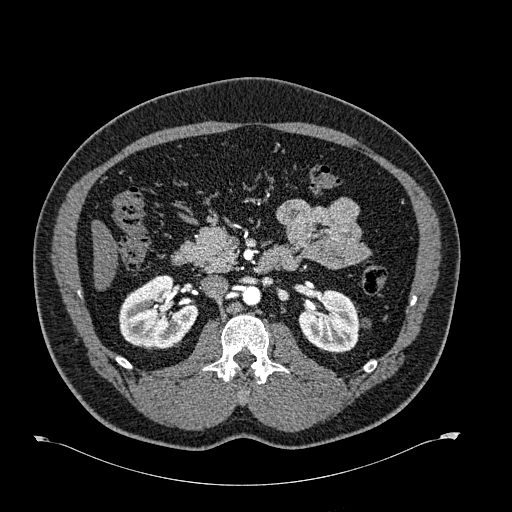
Arterial-phase contrast-enhanced abdominal CT, axial slice 375 of 723 (counted from the lowest slice); tube voltage 120 kVp, convolution kernel B30f; slices 1.00 mm thick, 0.895 mm per pixel.
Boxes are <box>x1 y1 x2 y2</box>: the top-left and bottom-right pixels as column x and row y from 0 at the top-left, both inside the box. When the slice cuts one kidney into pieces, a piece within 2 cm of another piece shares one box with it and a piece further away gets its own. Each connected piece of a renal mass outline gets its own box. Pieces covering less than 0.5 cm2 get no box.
Boxed on this slice (two kidney boxes), listed by box centre from the image's left to its right: (1) Right kidney: <box>119 275 198 349</box> (outlined area 4,260 px, about 34.1 cm2). (2) Left kidney: <box>298 289 370 352</box> (outlined area 2,980 px, about 23.8 cm2). No renal mass is outlined on this slice.